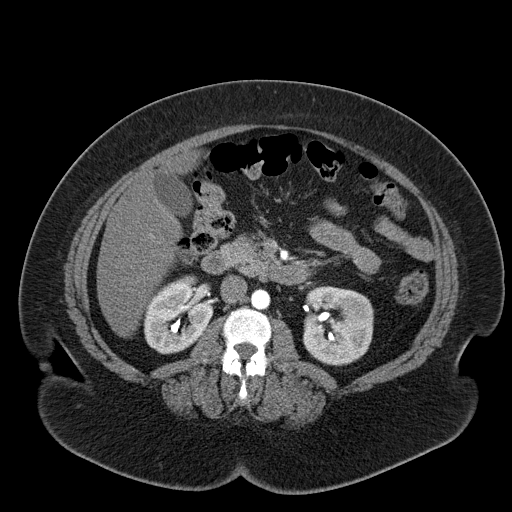
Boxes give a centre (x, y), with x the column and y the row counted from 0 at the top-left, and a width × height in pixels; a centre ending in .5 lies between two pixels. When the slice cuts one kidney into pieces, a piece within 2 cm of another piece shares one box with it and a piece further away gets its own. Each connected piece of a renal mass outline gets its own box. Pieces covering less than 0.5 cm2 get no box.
Slice 33/55 of a contrast-enhanced abdominal CT, counting up from the lowest; pixel size 0.908 mm, slice thickness 5.00 mm. Two boxes on this slice (two kidney boxes), listed by box centre from the image's left to its right. (1) Right kidney in a box with centre (178, 314.5), 71 × 80 pixels (outlined area 3,999 px, about 33.0 cm2). (2) Box centre (337.5, 325.5), 72 × 80 pixels: left kidney (outlined area 4,716 px, about 38.9 cm2). No renal mass is outlined on this slice.
Tube voltage 120 kVp; convolution kernel B30f.